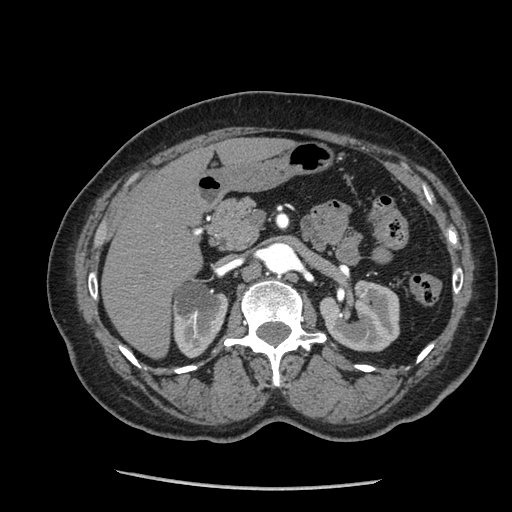
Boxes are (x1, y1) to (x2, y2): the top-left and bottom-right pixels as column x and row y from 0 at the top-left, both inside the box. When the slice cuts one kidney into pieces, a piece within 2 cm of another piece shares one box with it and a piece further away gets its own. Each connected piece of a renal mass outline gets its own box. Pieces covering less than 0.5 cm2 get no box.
This is axial slice 138 of 233 (slice 1 is the lowest) of an arterial-phase abdominal CT with contrast; each pixel is 0.703 mm and the slice is 1.25 mm thick. Two boxes on this slice (two kidney boxes), listed by box centre from the image's left to its right. (1) Box (172, 279) to (228, 358): right kidney (outlined area 3,307 px, about 16.3 cm2). (2) Box (319, 279) to (399, 351): left kidney (outlined area 4,430 px, about 21.9 cm2). This slice carries no renal mass outline.
Acquired at 120 kVp and reconstructed with the STANDARD kernel.